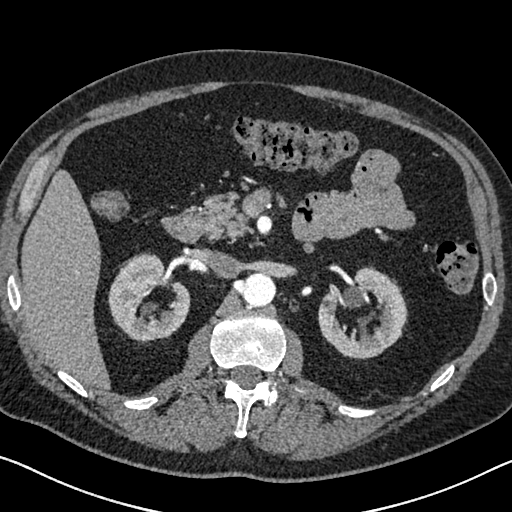
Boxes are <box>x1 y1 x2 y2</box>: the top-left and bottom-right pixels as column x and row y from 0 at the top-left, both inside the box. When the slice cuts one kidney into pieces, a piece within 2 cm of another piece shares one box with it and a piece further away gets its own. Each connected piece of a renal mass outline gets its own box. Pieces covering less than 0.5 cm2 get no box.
Arterial-phase contrast-enhanced abdominal CT, axial slice 430 of 626 (counted from the lowest slice); 1.00 mm thick, 0.703 mm per pixel. Boxed on this slice (two kidney boxes), listed by box centre from the image's left to its right: (1) Right kidney at <box>108 253 190 343</box> (outlined area 4,925 px, about 24.3 cm2). (2) Left kidney at <box>318 266 407 359</box> (outlined area 5,314 px, about 26.3 cm2). This slice carries no renal mass outline.
Tube voltage 120 kVp; convolution kernel I30f.